One axial slice (15 of 61, counting up from the lowest) of a contrast-enhanced abdominal CT acquired with 140 kVp, kernel B41f; each pixel is 0.939 mm and the slice is 3.00 mm thick.
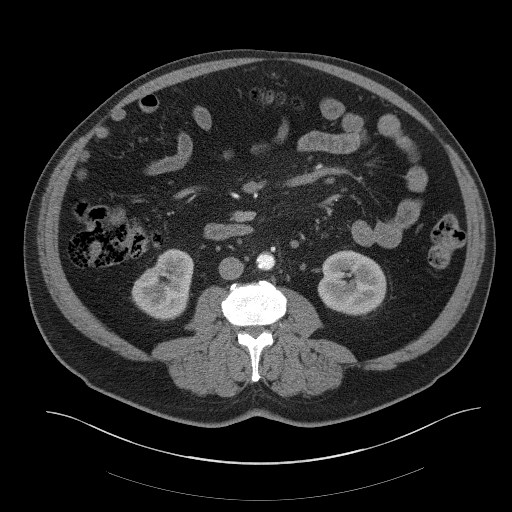
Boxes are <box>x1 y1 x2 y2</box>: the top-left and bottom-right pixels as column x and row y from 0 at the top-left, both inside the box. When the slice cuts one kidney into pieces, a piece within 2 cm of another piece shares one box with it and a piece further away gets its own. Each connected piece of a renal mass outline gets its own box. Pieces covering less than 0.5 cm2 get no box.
Two boxes on this slice (two kidney boxes), listed by box centre from the image's left to its right. (1) At <box>131 248 193 320</box>: right kidney (outlined area 3,189 px, about 28.1 cm2). (2) Left kidney at <box>317 250 386 315</box> (outlined area 3,546 px, about 31.3 cm2). This slice carries no renal mass outline.